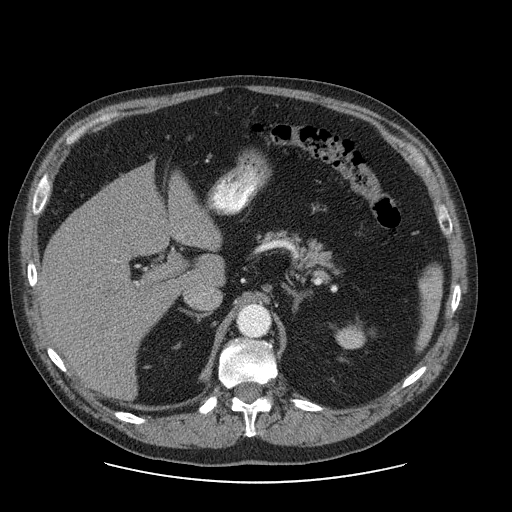
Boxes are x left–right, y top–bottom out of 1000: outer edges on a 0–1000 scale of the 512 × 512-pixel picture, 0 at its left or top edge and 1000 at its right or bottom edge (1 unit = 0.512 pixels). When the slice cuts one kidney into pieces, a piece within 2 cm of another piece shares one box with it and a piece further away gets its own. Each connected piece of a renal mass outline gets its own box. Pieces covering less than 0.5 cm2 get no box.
This is axial slice 63 of 103 (slice 1 is the lowest) of an abdominal CT with contrast; each pixel is 0.820 mm and the slice is 2.50 mm thick. Box x 656–717, y 639–684 out of 1000: left kidney (outlined area 545 px, about 3.7 cm2). This slice carries no renal mass outline.
Tube voltage 120 kVp; convolution kernel STANDARD.